Arterial-phase contrast-enhanced abdominal CT, axial slice 63 of 97 (counted from the lowest slice); tube voltage 120 kVp, convolution kernel B30f; slices 5.00 mm thick, 0.824 mm per pixel.
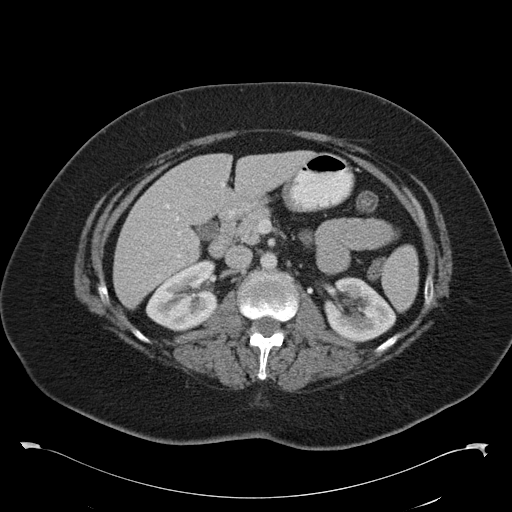
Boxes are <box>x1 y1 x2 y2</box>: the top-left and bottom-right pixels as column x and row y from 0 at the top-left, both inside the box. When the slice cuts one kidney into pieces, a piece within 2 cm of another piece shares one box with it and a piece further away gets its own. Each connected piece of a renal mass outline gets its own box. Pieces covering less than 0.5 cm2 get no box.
Two kidney boxes on this slice; by box centre, from the image's left to its right: (1) At <box>146 259 217 330</box>: right kidney (outlined area 3,476 px, about 23.6 cm2). (2) Left kidney: <box>324 278 395 341</box> (outlined area 3,207 px, about 21.8 cm2). This slice carries no renal mass outline.